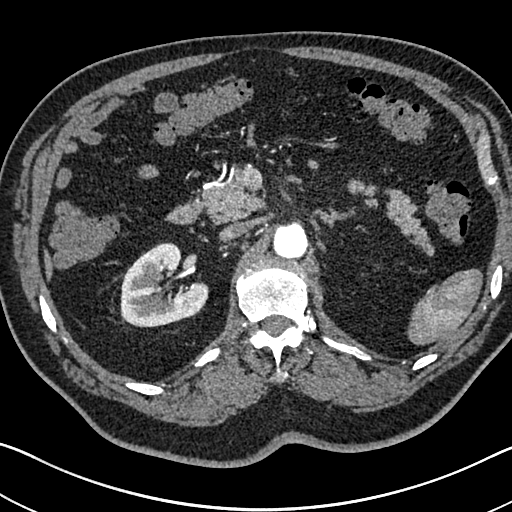
Arterial-phase contrast-enhanced abdominal CT, axial slice 475 of 705 (counted from the lowest slice); tube voltage 120 kVp, convolution kernel I30f; slices 1.00 mm thick, 0.703 mm per pixel.
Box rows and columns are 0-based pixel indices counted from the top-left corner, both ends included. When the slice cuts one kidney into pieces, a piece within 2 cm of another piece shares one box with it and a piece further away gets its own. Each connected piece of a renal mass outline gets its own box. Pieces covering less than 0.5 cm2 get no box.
Box rows 242–327, columns 120–208: right kidney (outlined area 5,253 px, about 26.0 cm2). No renal mass is outlined on this slice.